One axial slice (343 of 634, counting up from the lowest) of an arterial-phase abdominal CT acquired with 120 kVp, kernel B20f; each pixel is 0.838 mm and the slice is 1.00 mm thick.
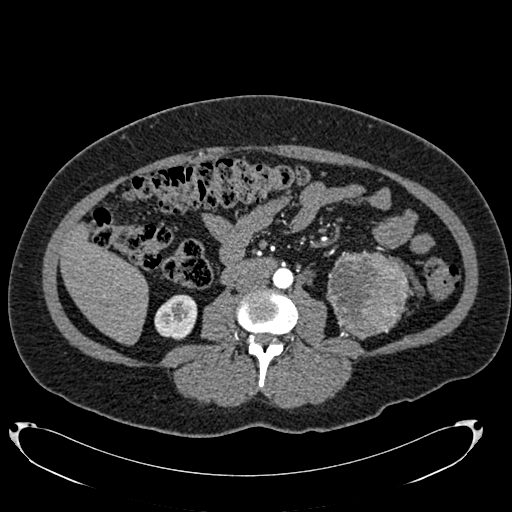
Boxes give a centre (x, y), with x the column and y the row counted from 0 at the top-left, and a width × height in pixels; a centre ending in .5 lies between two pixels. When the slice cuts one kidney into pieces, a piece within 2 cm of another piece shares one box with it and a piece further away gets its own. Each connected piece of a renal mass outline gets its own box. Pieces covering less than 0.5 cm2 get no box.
Boxed on this slice (one kidney box and one renal mass box), listed by box centre from the image's left to its right: (1) Box centre (175.5, 317), 44 × 47 pixels: right kidney (outlined area 1,532 px, about 10.8 cm2). (2) Box centre (369, 294.5), 87 × 90 pixels: left renal mass (outlined area 5,661 px, about 39.7 cm2); it sits over 1 cm from every kidney outline on this slice, but the same outlined renal mass comes within 1 cm of the kidney on another slice.